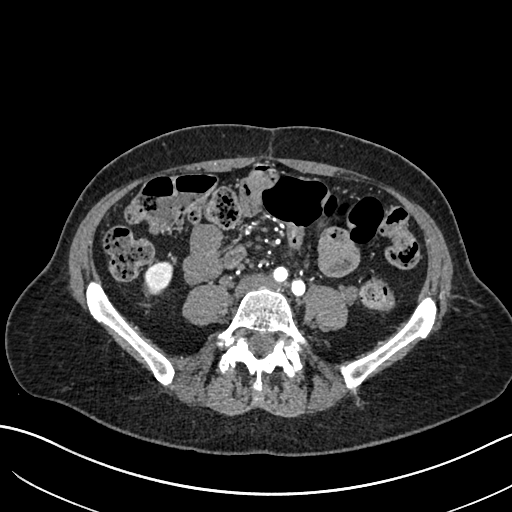
Arterial-phase contrast-enhanced abdominal CT, axial slice 245 of 683 (counted from the lowest slice); tube voltage 120 kVp, convolution kernel I30f; slices 1.00 mm thick, 0.738 mm per pixel.
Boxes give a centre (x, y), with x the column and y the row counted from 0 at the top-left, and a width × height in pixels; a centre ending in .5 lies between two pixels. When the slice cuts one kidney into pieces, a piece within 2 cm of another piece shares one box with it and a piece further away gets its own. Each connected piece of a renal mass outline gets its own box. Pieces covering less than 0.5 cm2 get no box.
Box centre (158.5, 277.5), 30 × 34 pixels: right kidney (outlined area 759 px, about 4.1 cm2). This slice carries no renal mass outline.